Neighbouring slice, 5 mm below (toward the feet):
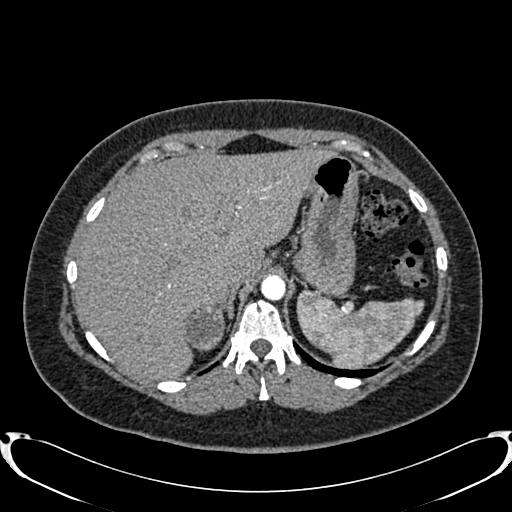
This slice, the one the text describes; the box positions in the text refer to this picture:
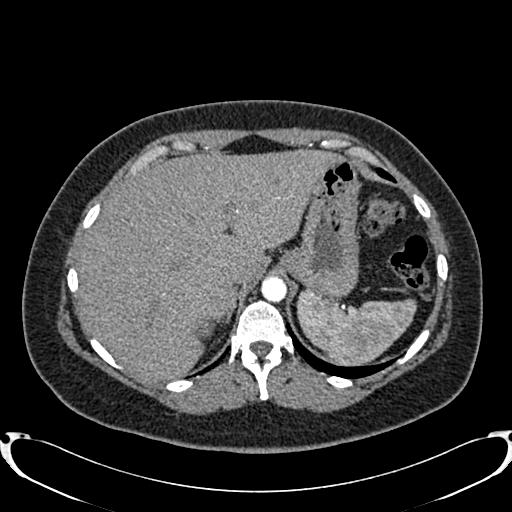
Abdominal CT with intravenous contrast, arterial phase, axial plane, 120 kVp, kernel B20f. Slice 643/719 from the bottom of the scan; thickness 1.00 mm; pixel size 0.766 mm.
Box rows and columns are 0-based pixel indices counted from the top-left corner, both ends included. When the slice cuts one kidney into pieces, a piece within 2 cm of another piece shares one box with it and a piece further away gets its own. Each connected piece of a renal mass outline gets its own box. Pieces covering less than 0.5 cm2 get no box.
Box rows 321–340, columns 196–215: right renal mass (outlined area 212 px, about 1.2 cm2); no kidney is outlined on this slice, but the same outlined renal mass comes within 1 cm of the kidney on another slice. This slice lies near the end of the right renal mass toward the head; the slice 5 mm below it is shown too, and the boxes mark positions on this slice only.